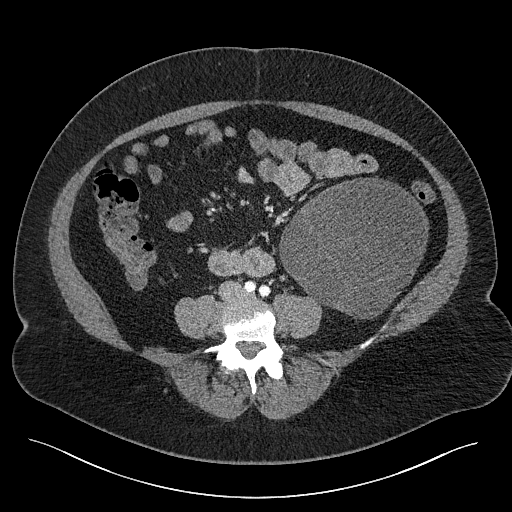
Contrast-enhanced abdominal CT, axial slice 65 of 301 (counted from the lowest slice); tube voltage 120 kVp, convolution kernel I40f; slices 2.00 mm thick, 0.859 mm per pixel.
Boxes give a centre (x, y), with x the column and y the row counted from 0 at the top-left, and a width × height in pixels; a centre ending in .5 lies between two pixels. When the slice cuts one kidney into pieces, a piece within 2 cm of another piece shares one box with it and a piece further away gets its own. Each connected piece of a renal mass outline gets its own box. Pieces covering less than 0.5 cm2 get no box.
Left renal mass in a box with centre (353.5, 248), 150 × 141 pixels (outlined area 15,300 px, about 113.0 cm2); no kidney outline appears on this slice, but the same outlined renal mass comes within 1 cm of the kidney on another slice.